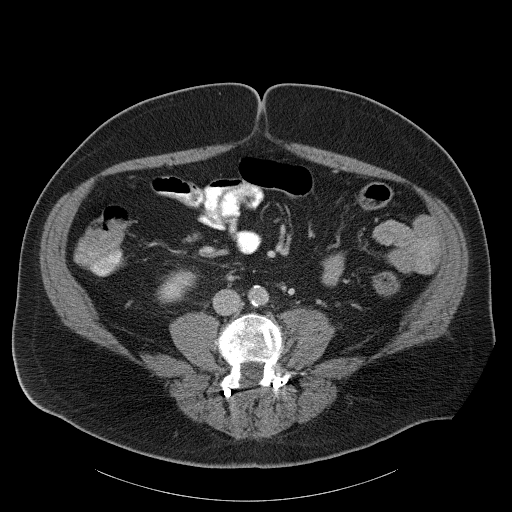
Axial slice 50 of 107 of a contrast-enhanced abdominal CT (slice 1 is the lowest), 120 kVp, kernel B31f; 5.00 mm slice thickness and 0.941 mm pixels.
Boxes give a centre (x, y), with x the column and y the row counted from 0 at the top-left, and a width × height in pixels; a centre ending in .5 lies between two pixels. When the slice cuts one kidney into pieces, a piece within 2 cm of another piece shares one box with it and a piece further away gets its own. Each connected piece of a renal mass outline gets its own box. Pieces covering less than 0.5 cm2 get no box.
Box centre (176.5, 286), 42 × 35 pixels: right kidney (outlined area 938 px, about 8.3 cm2). No renal mass is outlined on this slice.